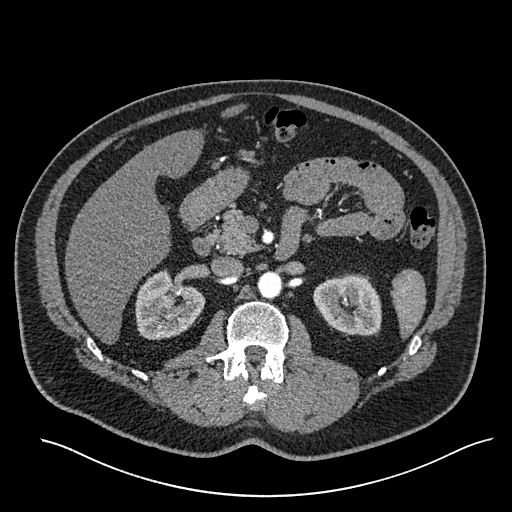
Arterial-phase contrast-enhanced abdominal CT, axial slice 355 of 527 (counted from the lowest slice); tube voltage 120 kVp, convolution kernel I30f; slices 1.00 mm thick, 0.859 mm per pixel.
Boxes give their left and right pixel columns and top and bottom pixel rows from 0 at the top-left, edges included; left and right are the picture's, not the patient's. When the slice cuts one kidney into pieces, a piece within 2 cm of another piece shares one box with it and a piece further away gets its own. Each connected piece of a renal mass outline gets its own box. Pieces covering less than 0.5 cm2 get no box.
Boxed on this slice (two kidney boxes and one renal mass box), listed by box centre from the image's left to its right: (1) Box with left 157, top 294, right 175, bottom 311: right renal mass (outlined area 269 px, about 2.0 cm2). (2) Right kidney, the box with left 135, top 270, right 205, bottom 340 (outlined area 3,286 px, about 24.3 cm2). (3) Box with left 313, top 273, right 381, bottom 335: left kidney (outlined area 3,373 px, about 24.9 cm2).